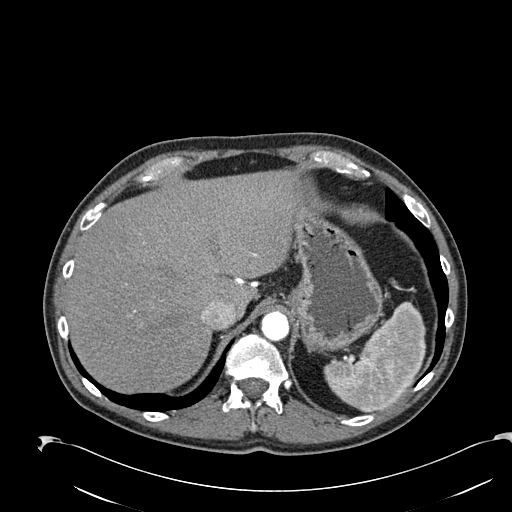
One axial slice (202 of 274, counting up from the lowest) of an arterial-phase abdominal CT acquired with 120 kVp, kernel B30f; each pixel is 0.809 mm and the slice is 2.00 mm thick.
No kidney and no renal mass is outlined on this slice; the outlines in this scan cover only the kidneys and the renal masses, so nothing is said about any other organ.